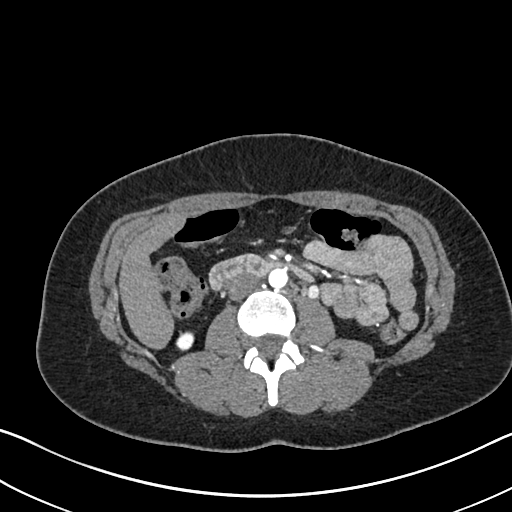
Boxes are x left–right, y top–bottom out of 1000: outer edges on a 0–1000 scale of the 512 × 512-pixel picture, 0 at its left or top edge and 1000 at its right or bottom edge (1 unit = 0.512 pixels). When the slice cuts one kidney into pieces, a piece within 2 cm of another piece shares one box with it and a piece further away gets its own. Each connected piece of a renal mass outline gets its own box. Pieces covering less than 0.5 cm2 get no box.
Arterial-phase contrast-enhanced abdominal CT, axial slice 357 of 612 (counted from the lowest slice); 1.00 mm thick, 0.703 mm per pixel. Right kidney, box x 344–381, y 646–686 out of 1000 (outlined area 274 px, about 1.4 cm2). This slice carries no renal mass outline.
Scan settings: 120 kVp, I30f reconstruction kernel.